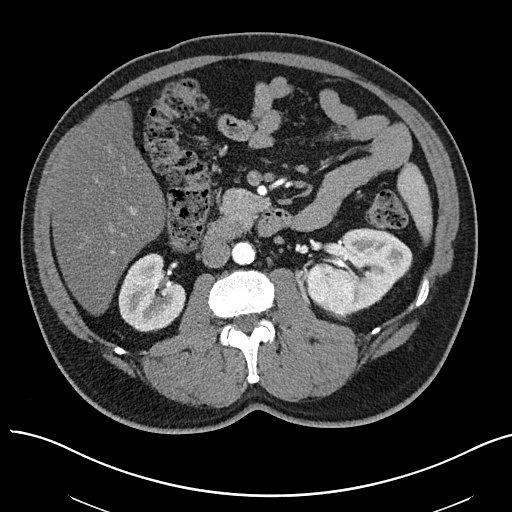
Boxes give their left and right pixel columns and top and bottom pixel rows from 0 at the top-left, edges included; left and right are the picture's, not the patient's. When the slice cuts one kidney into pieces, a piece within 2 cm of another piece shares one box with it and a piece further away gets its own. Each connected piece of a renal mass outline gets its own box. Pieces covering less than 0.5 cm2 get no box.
This is axial slice 31 of 97 (slice 1 is the lowest) of an arterial-phase abdominal CT with contrast; each pixel is 0.797 mm and the slice is 3.00 mm thick. Two kidney boxes and one renal mass box on this slice; by box centre, from the image's left to its right: (1) Box with left 118, top 253, right 185, bottom 332: right kidney (outlined area 3,854 px, about 24.5 cm2). (2) Box with left 306, top 262, right 358, bottom 320: left renal mass (outlined area 2,305 px, about 14.6 cm2). (3) Box with left 320, top 228, right 412, bottom 310: left kidney (outlined area 4,233 px, about 26.9 cm2).
Scan settings: 100 kVp, I40f reconstruction kernel.